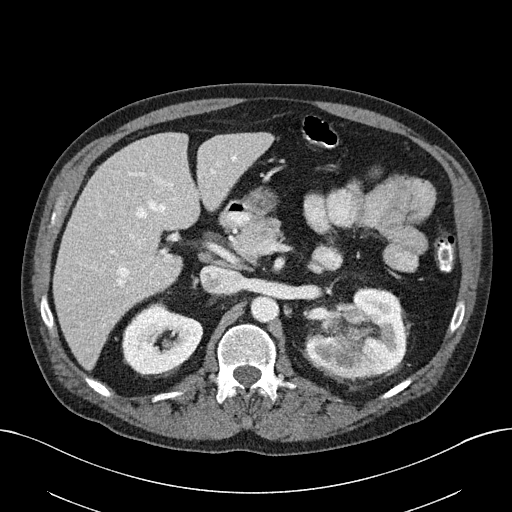
Axial slice 120 of 163 of a contrast-enhanced abdominal CT (slice 1 is the lowest), 100 kVp, kernel I40f; 3.00 mm slice thickness and 0.799 mm pixels.
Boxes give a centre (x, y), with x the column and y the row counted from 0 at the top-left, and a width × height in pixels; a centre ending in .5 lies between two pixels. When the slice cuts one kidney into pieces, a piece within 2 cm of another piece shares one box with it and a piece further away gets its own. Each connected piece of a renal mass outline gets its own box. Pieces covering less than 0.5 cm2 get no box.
Two kidney boxes on this slice; by box centre, from the image's left to its right: (1) Right kidney in a box with centre (162, 339), 81 × 73 pixels (outlined area 4,134 px, about 26.4 cm2). (2) Box centre (356, 333.5), 105 × 92 pixels: left kidney (outlined area 6,883 px, about 43.9 cm2). No renal mass is outlined on this slice.